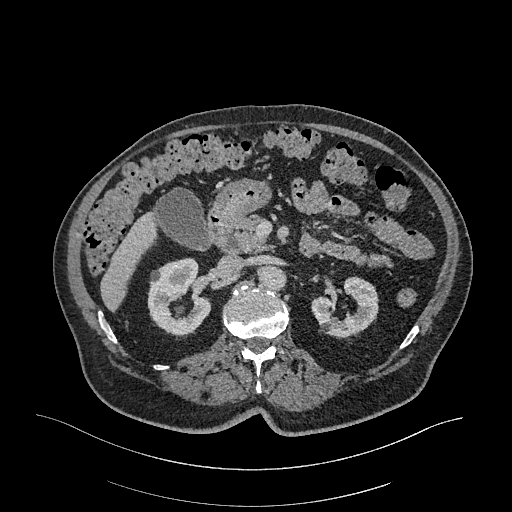
Axial slice 192 of 470 of a contrast-enhanced abdominal CT in the arterial phase (slice 1 is the lowest), 120 kVp, kernel I26f; 1.00 mm slice thickness and 0.938 mm pixels.
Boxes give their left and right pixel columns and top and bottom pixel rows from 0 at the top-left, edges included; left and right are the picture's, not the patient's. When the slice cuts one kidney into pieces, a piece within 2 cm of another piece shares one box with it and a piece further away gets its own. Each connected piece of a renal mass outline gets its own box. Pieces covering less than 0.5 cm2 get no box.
Two boxes on this slice (two kidney boxes), listed by box centre from the image's left to its right. (1) Box with left 147, top 257, right 211, bottom 336: right kidney (outlined area 3,608 px, about 31.7 cm2). (2) Left kidney, the box with left 311, top 276, right 378, bottom 337 (outlined area 2,630 px, about 23.1 cm2). This slice carries no renal mass outline.